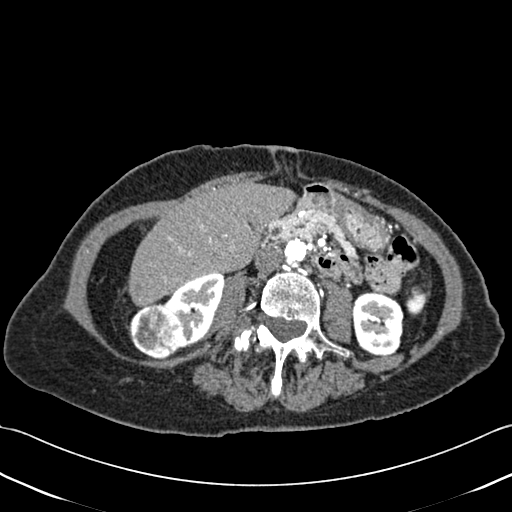
Abdominal CT with intravenous contrast, axial plane, 120 kVp, kernel B30f. Slice 196/433 from the bottom of the scan; thickness 1.00 mm; pixel size 0.672 mm.
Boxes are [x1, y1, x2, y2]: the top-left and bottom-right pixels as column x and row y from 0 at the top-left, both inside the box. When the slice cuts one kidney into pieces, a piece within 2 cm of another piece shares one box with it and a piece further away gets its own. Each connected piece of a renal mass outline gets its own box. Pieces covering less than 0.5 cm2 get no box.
Three boxes on this slice (two kidney boxes and one renal mass box), listed by box centre from the image's left to its right. (1) Right renal mass, box [126, 302, 182, 359] (outlined area 2,341 px, about 10.6 cm2). (2) Right kidney, box [163, 272, 224, 348] (outlined area 2,687 px, about 12.1 cm2). (3) Left kidney at [352, 292, 403, 355] (outlined area 2,758 px, about 12.5 cm2).